Arterial-phase contrast-enhanced abdominal CT, axial slice 370 of 705 (counted from the lowest slice); tube voltage 120 kVp, convolution kernel I30f; slices 1.00 mm thick, 0.703 mm per pixel.
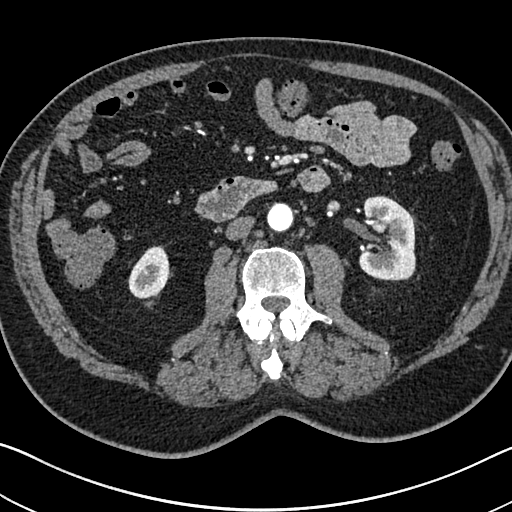
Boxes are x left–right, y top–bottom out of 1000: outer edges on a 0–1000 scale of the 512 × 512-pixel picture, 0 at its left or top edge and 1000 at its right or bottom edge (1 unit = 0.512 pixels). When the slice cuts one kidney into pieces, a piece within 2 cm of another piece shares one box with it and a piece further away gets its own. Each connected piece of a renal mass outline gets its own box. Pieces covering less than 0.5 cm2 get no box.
Two boxes on this slice (two kidney boxes), listed by box centre from the image's left to its right. (1) Right kidney at x 250–332, y 479–584 out of 1000 (outlined area 1,634 px, about 8.1 cm2). (2) Left kidney at x 701–813, y 381–551 out of 1000 (outlined area 4,040 px, about 20.0 cm2). No renal mass outline on this slice.